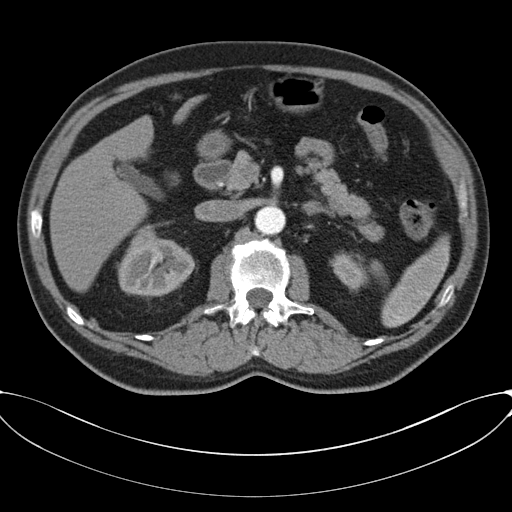
Axial slice 43 of 80 of a contrast-enhanced abdominal CT (slice 1 is the lowest), 120 kVp, kernel B30f; 3.00 mm slice thickness and 0.822 mm pixels.
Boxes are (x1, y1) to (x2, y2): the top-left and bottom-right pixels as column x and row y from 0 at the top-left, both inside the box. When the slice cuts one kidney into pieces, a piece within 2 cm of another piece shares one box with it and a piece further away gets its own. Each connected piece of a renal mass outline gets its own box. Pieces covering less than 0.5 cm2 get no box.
Boxed on this slice (two kidney boxes), listed by box centre from the image's left to its right: (1) Right kidney from (117, 224) to (194, 297) (outlined area 3,814 px, about 25.8 cm2). (2) Left kidney from (331, 253) to (365, 290) (outlined area 889 px, about 6.0 cm2). No renal mass outline on this slice.